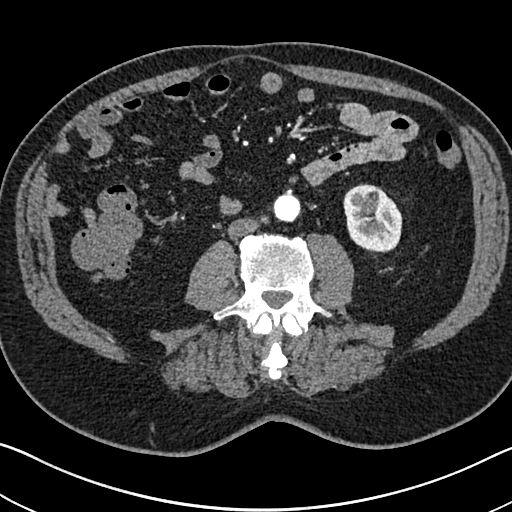
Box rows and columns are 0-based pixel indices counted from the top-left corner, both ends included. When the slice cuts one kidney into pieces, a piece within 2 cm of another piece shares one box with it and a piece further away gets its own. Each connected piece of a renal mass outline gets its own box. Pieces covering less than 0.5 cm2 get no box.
Arterial-phase contrast-enhanced abdominal CT, axial slice 307 of 705 (counted from the lowest slice); 1.00 mm thick, 0.703 mm per pixel. Box rows 184–252, columns 343–402: left kidney (outlined area 3,197 px, about 15.8 cm2). No renal mass is outlined on this slice.
Tube voltage 120 kVp; convolution kernel I30f.